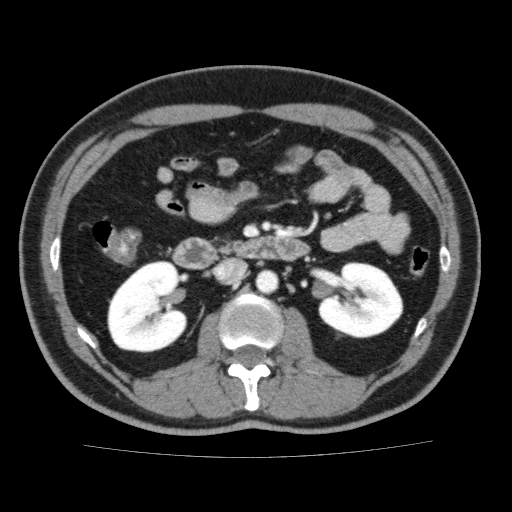
Abdominal CT with intravenous contrast, axial plane, 120 kVp, kernel FC13. Slice 100/159 from the bottom of the scan; thickness 3.00 mm; pixel size 0.668 mm.
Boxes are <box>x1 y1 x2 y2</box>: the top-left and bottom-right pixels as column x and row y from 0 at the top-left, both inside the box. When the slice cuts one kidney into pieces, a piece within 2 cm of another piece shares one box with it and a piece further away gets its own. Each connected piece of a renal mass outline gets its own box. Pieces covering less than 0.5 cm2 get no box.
Boxed on this slice (two kidney boxes), listed by box centre from the image's left to its right: (1) At <box>107 260 187 352</box>: right kidney (outlined area 5,734 px, about 25.6 cm2). (2) At <box>318 262 403 338</box>: left kidney (outlined area 4,842 px, about 21.6 cm2). No renal mass is outlined on this slice.